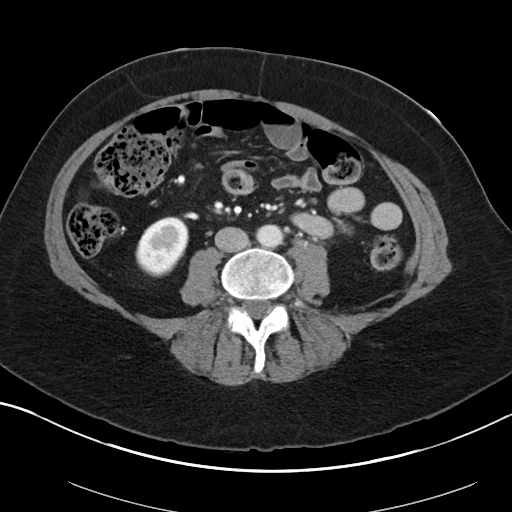
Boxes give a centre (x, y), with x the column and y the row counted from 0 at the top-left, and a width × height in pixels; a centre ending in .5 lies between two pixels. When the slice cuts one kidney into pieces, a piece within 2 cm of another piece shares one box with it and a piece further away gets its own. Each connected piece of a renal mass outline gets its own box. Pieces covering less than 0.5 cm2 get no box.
Arterial-phase contrast-enhanced abdominal CT, axial slice 44 of 88 (counted from the lowest slice); 5.00 mm thick, 0.705 mm per pixel. Right kidney in a box with centre (161.5, 247), 54 × 61 pixels (outlined area 2,323 px, about 11.5 cm2). This slice carries no renal mass outline.
Scan settings: 100 kVp, I40f reconstruction kernel.